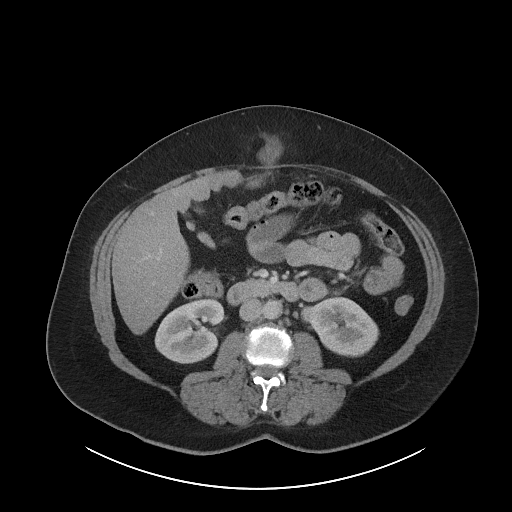
Abdominal CT with intravenous contrast, arterial phase, axial plane, 120 kVp, kernel I40f. Slice 50/86 from the bottom of the scan; thickness 5.00 mm; pixel size 0.977 mm.
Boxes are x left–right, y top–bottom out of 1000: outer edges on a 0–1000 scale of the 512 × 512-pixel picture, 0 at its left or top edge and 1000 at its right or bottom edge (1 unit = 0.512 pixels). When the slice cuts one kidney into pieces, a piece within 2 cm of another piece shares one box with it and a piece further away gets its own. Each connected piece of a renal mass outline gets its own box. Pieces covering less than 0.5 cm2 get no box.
Two kidney boxes and one renal mass box on this slice; by box centre, from the image's left to its right: (1) Box x 301–441, y 584–711 out of 1000: right kidney (outlined area 3,409 px, about 32.5 cm2). (2) Left renal mass, box x 586–615, y 598–631 out of 1000 (outlined area 193 px, about 1.8 cm2). (3) Left kidney at x 604–740, y 578–697 out of 1000 (outlined area 2,978 px, about 28.4 cm2).